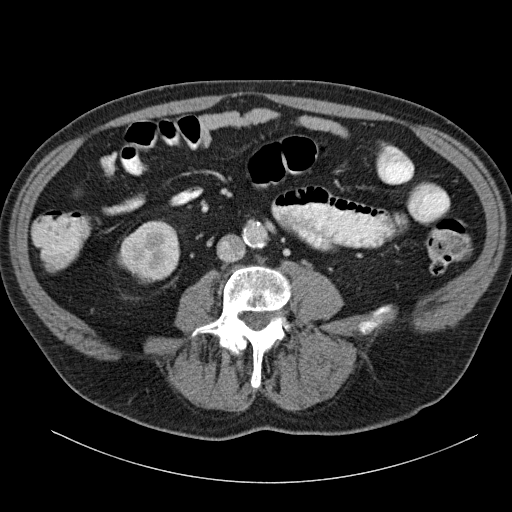
Axial slice 57 of 140 of a contrast-enhanced abdominal CT in the arterial phase (slice 1 is the lowest), 120 kVp, kernel B31f; 5.00 mm slice thickness and 0.754 mm pixels.
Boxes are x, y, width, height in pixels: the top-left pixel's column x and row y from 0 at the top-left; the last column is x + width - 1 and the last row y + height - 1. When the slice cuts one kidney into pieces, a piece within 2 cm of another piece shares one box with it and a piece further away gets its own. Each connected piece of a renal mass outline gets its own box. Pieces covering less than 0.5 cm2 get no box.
Right kidney at x 117, y 220, width 64, height 64 (outlined area 2,958 px, about 16.8 cm2). This slice carries no renal mass outline.